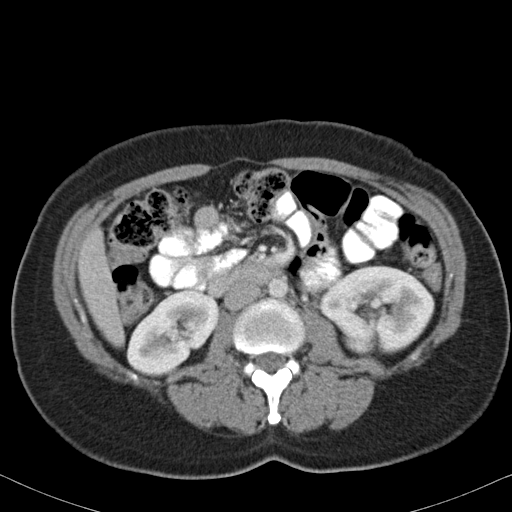
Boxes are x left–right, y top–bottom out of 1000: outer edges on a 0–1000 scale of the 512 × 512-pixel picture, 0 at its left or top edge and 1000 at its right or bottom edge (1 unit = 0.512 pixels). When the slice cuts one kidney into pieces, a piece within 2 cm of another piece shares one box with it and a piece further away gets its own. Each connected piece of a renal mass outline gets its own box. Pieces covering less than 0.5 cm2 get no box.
Slice 56/82 of a contrast-enhanced abdominal CT in the arterial phase, counting up from the lowest; pixel size 0.625 mm, slice thickness 5.00 mm. Boxed on this slice (two kidney boxes), listed by box centre from the image's left to its right: (1) Right kidney, box x 248–432, y 566–736 out of 1000 (outlined area 5,344 px, about 20.9 cm2). (2) Left kidney, box x 623–850, y 518–693 out of 1000 (outlined area 7,381 px, about 28.8 cm2). No renal mass is outlined on this slice.
Tube voltage 120 kVp; convolution kernel B31f.